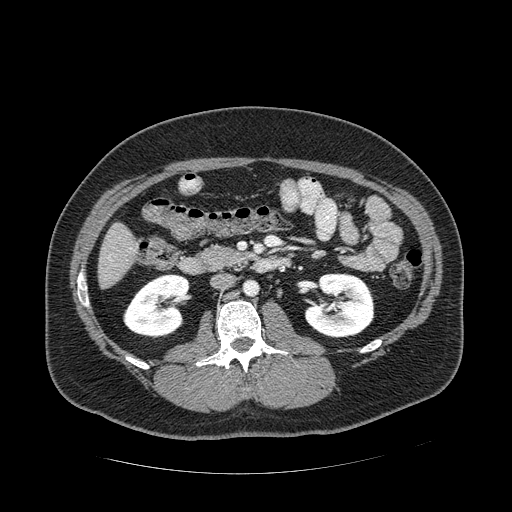
One axial slice (248 of 389, counting up from the lowest) of an arterial-phase abdominal CT acquired with 120 kVp, kernel STANDARD; each pixel is 0.869 mm and the slice is 1.25 mm thick.
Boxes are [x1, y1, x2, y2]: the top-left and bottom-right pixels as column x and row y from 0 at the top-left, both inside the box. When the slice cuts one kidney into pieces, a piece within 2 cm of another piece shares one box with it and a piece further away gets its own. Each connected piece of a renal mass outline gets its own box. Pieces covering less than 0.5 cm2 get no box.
Two boxes on this slice (two kidney boxes), listed by box centre from the image's left to its right. (1) Right kidney at [123, 273, 190, 338] (outlined area 3,138 px, about 23.7 cm2). (2) Left kidney at [304, 273, 374, 338] (outlined area 3,571 px, about 27.0 cm2). No renal mass is outlined on this slice.